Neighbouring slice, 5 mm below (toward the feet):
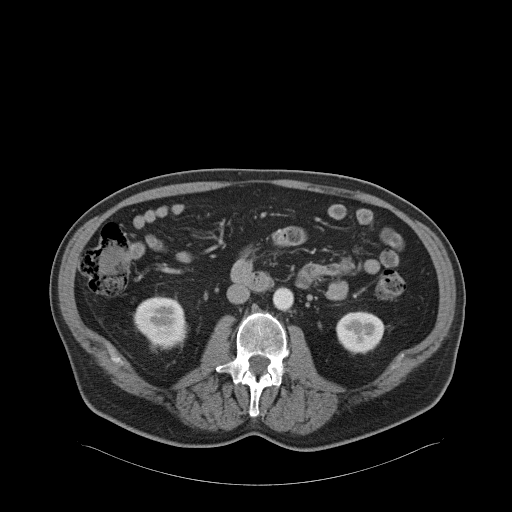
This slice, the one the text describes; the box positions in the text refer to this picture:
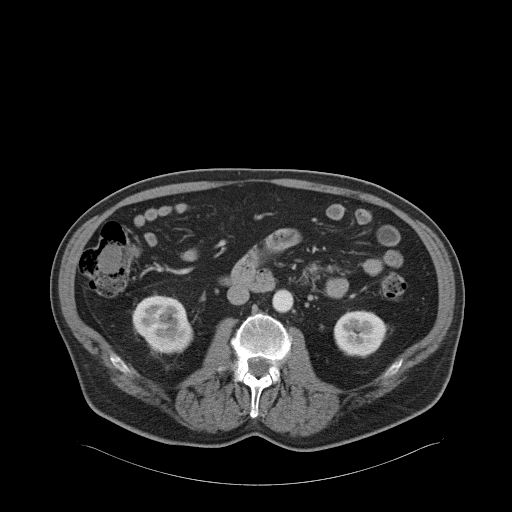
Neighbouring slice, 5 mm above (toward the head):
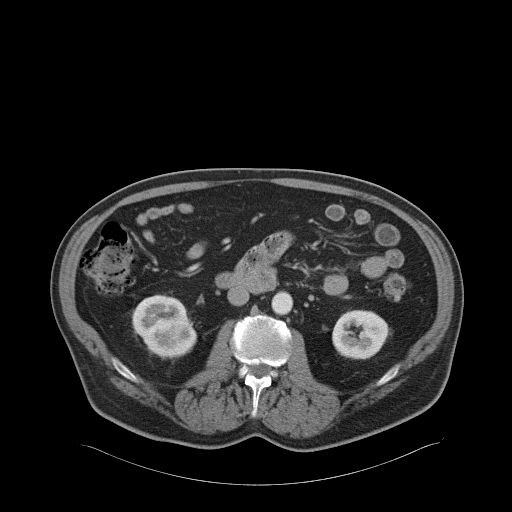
One axial slice (25 of 68, counting up from the lowest) of an arterial-phase abdominal CT acquired with 120 kVp, kernel B31f; each pixel is 0.961 mm and the slice is 5.00 mm thick.
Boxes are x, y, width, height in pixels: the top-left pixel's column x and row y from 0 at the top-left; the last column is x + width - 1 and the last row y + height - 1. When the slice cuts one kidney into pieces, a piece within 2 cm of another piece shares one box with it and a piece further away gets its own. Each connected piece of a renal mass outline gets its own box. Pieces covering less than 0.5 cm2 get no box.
Three boxes on this slice (two kidney boxes and one renal mass box), listed by box centre from the image's left to its right. (1) Box x 146, y 320, width 25, height 14: right renal mass (outlined area 249 px, about 2.3 cm2). (2) Right kidney at x 132, y 293, width 62, height 62 (outlined area 2,509 px, about 23.2 cm2). (3) Left kidney, box x 333, y 310, width 52, height 48 (outlined area 1,969 px, about 18.2 cm2). This slice lies near the end of the right renal mass toward the feet; the slices 5 mm below and 5 mm above it are shown too, and the boxes mark positions on this slice only.